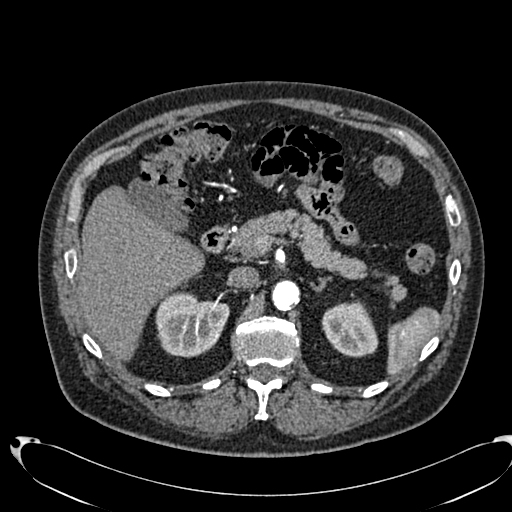
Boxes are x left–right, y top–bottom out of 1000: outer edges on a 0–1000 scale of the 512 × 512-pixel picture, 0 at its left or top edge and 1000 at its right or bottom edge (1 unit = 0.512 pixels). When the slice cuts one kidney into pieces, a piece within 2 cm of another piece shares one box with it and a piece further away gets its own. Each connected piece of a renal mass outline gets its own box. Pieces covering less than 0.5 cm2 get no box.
Slice 471/553 of a contrast-enhanced abdominal CT in the arterial phase, counting up from the lowest; pixel size 0.773 mm, slice thickness 1.00 mm. Boxed on this slice (two kidney boxes), listed by box centre from the image's left to its right: (1) Box x 303–449, y 570–699 out of 1000: right kidney (outlined area 3,680 px, about 22.0 cm2). (2) Box x 627–740, y 586–699 out of 1000: left kidney (outlined area 2,411 px, about 14.4 cm2). No renal mass outline on this slice.
Scan settings: 120 kVp, B20f reconstruction kernel.